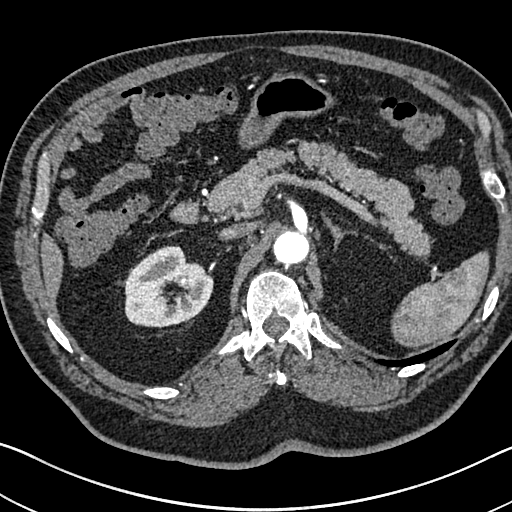
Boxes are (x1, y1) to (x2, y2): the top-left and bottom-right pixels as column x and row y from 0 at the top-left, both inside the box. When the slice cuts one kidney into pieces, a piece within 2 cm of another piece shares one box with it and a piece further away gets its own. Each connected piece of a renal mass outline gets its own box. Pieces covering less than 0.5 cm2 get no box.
Arterial-phase contrast-enhanced abdominal CT, axial slice 492 of 705 (counted from the lowest slice); 1.00 mm thick, 0.703 mm per pixel. Right kidney from (122, 246) to (213, 327) (outlined area 5,392 px, about 26.7 cm2). This slice carries no renal mass outline.
Scan settings: 120 kVp, I30f reconstruction kernel.